Axial slice 20 of 52 of a contrast-enhanced abdominal CT in the arterial phase (slice 1 is the lowest), 120 kVp, kernel B30f; 3.00 mm slice thickness and 0.678 mm pixels.
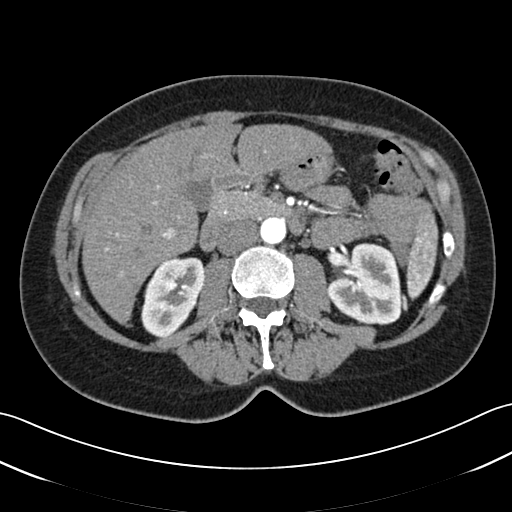
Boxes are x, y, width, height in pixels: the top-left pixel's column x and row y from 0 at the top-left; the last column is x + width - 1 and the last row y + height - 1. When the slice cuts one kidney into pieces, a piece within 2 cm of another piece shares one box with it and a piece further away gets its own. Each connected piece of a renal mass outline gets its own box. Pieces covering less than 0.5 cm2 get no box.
Two boxes on this slice (two kidney boxes), listed by box centre from the image's left to its right. (1) Right kidney at x 141, y 257, width 63, height 80 (outlined area 3,681 px, about 16.9 cm2). (2) Left kidney at x 328, y 243, width 75, height 83 (outlined area 4,744 px, about 21.8 cm2). No renal mass is outlined on this slice.